Abdominal CT with intravenous contrast, arterial phase, axial plane, 120 kVp, kernel FC19. Slice 61/85 from the bottom of the scan; thickness 5.00 mm; pixel size 0.741 mm.
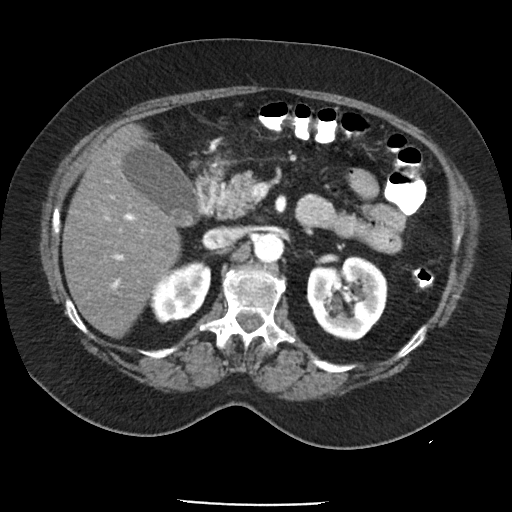
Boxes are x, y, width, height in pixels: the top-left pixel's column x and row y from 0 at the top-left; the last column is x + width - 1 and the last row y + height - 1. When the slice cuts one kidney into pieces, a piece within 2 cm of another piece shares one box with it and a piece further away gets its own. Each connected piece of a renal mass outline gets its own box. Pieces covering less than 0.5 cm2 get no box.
Boxed on this slice (two kidney boxes), listed by box centre from the image's left to its right: (1) Right kidney at x 146, y 260, width 66, height 63 (outlined area 2,784 px, about 15.3 cm2). (2) Left kidney at x 306, y 256, width 82, height 85 (outlined area 5,163 px, about 28.3 cm2). No renal mass is outlined on this slice.